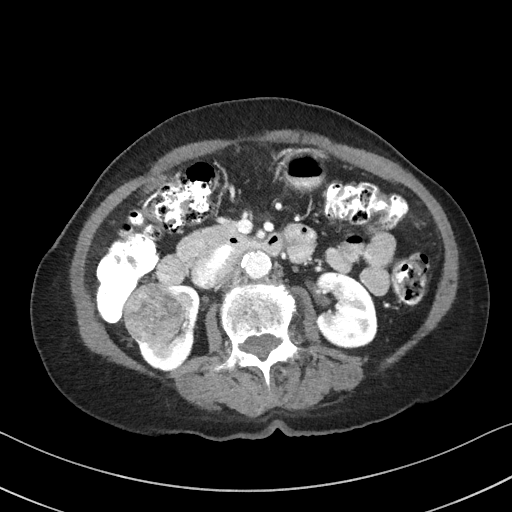
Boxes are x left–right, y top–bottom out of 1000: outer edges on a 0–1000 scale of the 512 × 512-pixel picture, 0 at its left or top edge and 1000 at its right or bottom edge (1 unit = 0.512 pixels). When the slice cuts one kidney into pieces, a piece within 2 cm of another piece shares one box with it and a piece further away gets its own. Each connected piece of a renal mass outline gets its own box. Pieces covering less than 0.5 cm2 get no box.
Contrast-enhanced abdominal CT, axial slice 52 of 92 (counted from the lowest slice); 3.00 mm thick, 0.684 mm per pixel. Three boxes on this slice (two kidney boxes and one renal mass box), listed by box centre from the image's left to its right. (1) Right renal mass, box x 240–359, y 551–678 out of 1000 (outlined area 2,960 px, about 13.8 cm2). (2) Right kidney, box x 271–391, y 551–725 out of 1000 (outlined area 2,231 px, about 10.4 cm2). (3) Left kidney at x 615–738, y 531–682 out of 1000 (outlined area 3,861 px, about 18.0 cm2).
Tube voltage 100 kVp; convolution kernel I41f.